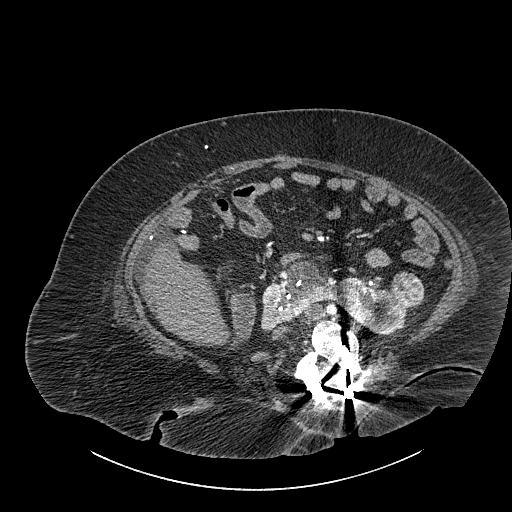
Abdominal CT with intravenous contrast, axial plane, 140 kVp, kernel I30f. Slice 489/834 from the bottom of the scan; thickness 1.00 mm; pixel size 0.977 mm.
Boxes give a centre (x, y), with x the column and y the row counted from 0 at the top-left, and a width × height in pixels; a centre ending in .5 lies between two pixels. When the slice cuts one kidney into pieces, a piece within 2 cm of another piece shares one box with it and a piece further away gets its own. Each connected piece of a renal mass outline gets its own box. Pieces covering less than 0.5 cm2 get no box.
Two boxes on this slice (one kidney box and one renal mass box), listed by box centre from the image's left to its right. (1) Kidney crossing the body midline, box centre (336, 298), 153 × 75 pixels (outlined area 5,667 px, about 54.0 cm2). (2) Renal mass in a box with centre (406.5, 288.5), 34 × 36 pixels (outlined area 969 px, about 9.2 cm2).